Abdominal CT with intravenous contrast, axial plane, 120 kVp, kernel B31f. Slice 79/107 from the bottom of the scan; thickness 5.00 mm; pixel size 0.730 mm.
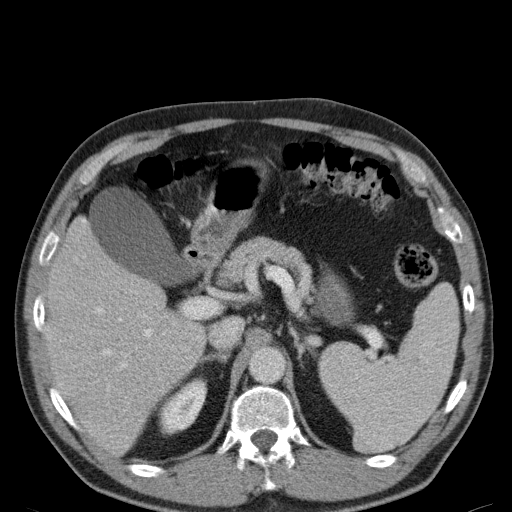
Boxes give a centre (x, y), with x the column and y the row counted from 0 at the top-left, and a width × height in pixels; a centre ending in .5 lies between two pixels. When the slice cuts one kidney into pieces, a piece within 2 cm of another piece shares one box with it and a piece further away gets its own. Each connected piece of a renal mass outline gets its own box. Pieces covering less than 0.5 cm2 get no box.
Box centre (182, 406), 51 × 61 pixels: right kidney (outlined area 1,907 px, about 10.2 cm2). No renal mass outline on this slice.